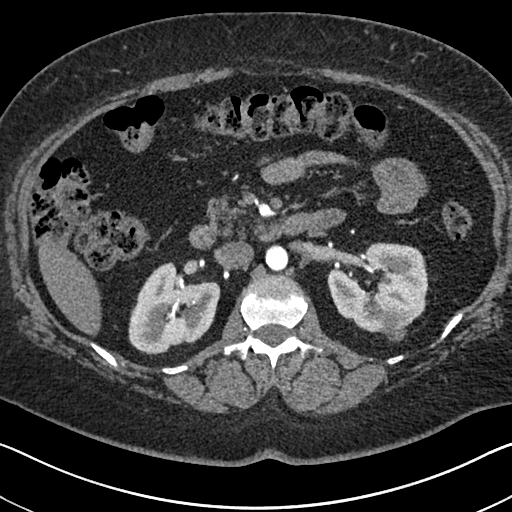
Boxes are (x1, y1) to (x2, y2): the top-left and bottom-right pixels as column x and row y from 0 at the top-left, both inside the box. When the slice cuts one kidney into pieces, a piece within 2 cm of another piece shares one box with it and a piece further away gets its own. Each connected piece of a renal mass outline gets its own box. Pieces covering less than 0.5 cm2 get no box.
This is axial slice 417 of 591 (slice 1 is the lowest) of an arterial-phase abdominal CT with contrast; each pixel is 0.703 mm and the slice is 1.00 mm thick. Boxed on this slice (two kidney boxes and one renal mass box), listed by box centre from the image's left to its right: (1) Right kidney, box (128, 261) to (220, 354) (outlined area 5,912 px, about 29.2 cm2). (2) Left kidney from (327, 242) to (428, 334) (outlined area 6,449 px, about 31.9 cm2). (3) Left renal mass, box (386, 312) to (408, 341) (outlined area 547 px, about 2.7 cm2).
Scan settings: 140 kVp, I30f reconstruction kernel.